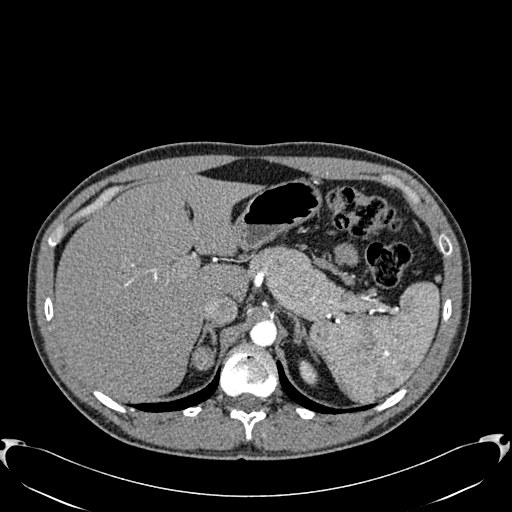
Abdominal CT with intravenous contrast, arterial phase, axial plane, 120 kVp, kernel B30f. Slice 459/512 from the bottom of the scan; thickness 1.00 mm; pixel size 0.771 mm.
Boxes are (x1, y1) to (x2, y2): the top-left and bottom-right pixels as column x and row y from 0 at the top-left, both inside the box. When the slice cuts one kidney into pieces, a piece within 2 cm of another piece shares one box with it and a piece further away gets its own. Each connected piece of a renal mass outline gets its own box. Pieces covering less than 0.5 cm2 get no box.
One kidney box and one renal mass box on this slice; by box centre, from the image's left to its right: (1) Box (191, 345) to (215, 370): right renal mass (outlined area 488 px, about 2.9 cm2); on this slice it lies more than 1 cm from any kidney outline, but the same outlined renal mass comes within 1 cm of the kidney on another slice. (2) Left kidney from (299, 360) to (317, 385) (outlined area 348 px, about 2.1 cm2).